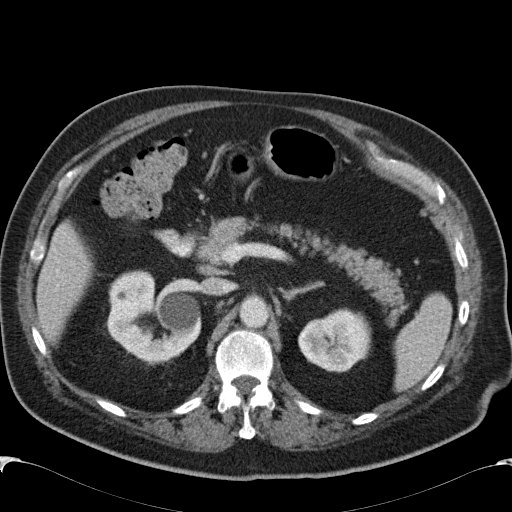
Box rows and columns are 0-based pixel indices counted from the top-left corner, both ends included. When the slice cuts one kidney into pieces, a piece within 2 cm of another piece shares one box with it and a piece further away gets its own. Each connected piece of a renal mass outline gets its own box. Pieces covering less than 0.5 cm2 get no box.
Contrast-enhanced abdominal CT, axial slice 77 of 99 (counted from the lowest slice); 5.00 mm thick, 0.742 mm per pixel. Two kidney boxes on this slice; by box centre, from the image's left to its right: (1) Box rows 271–362, columns 107–201: right kidney (outlined area 6,290 px, about 34.6 cm2). (2) Left kidney at rows 308–372, columns 298–371 (outlined area 3,550 px, about 19.6 cm2). No renal mass is outlined on this slice.
Tube voltage 120 kVp; convolution kernel B31f.